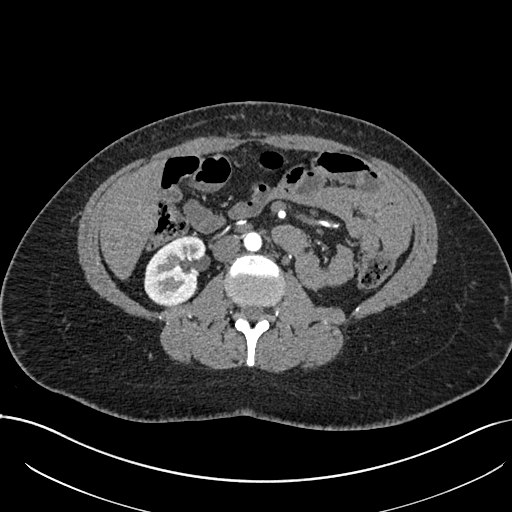
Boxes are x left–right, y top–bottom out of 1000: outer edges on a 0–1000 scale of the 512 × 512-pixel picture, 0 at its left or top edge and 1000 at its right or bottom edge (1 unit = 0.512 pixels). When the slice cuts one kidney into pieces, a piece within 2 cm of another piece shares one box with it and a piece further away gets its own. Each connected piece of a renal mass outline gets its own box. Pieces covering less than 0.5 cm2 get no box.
Arterial-phase contrast-enhanced abdominal CT, axial slice 372 of 738 (counted from the lowest slice); 1.00 mm thick, 0.789 mm per pixel. Right kidney, box x 281–404, y 461–600 out of 1000 (outlined area 3,270 px, about 20.4 cm2). No renal mass outline on this slice.
Acquired at 120 kVp and reconstructed with the I30f kernel.